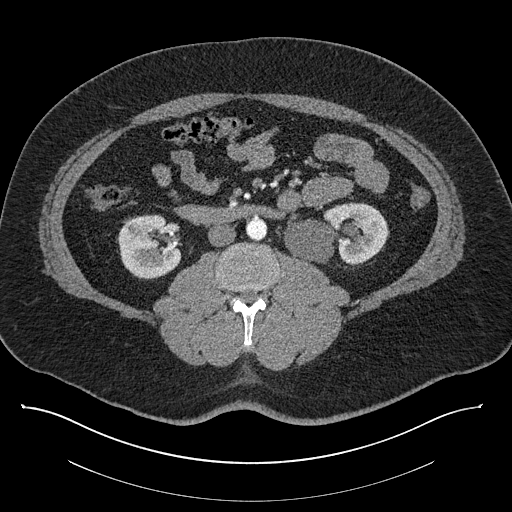
One axial slice (432 of 787, counting up from the lowest) of a contrast-enhanced abdominal CT acquired with 140 kVp, kernel I30f; each pixel is 0.910 mm and the slice is 1.00 mm thick.
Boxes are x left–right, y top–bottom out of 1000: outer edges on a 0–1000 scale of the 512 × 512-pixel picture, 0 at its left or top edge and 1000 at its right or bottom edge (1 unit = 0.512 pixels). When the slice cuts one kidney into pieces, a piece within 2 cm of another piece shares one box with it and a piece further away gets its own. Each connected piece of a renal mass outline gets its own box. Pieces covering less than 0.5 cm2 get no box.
Two kidney boxes on this slice; by box centre, from the image's left to its right: (1) Right kidney at x 229–357, y 418–547 out of 1000 (outlined area 3,226 px, about 26.7 cm2). (2) Left kidney, box x 555–760, y 395–518 out of 1000 (outlined area 4,748 px, about 39.3 cm2). This slice carries no renal mass outline.